Axial slice 67 of 103 of a contrast-enhanced abdominal CT (slice 1 is the lowest), 120 kVp, kernel STANDARD; 2.50 mm slice thickness and 0.736 mm pixels.
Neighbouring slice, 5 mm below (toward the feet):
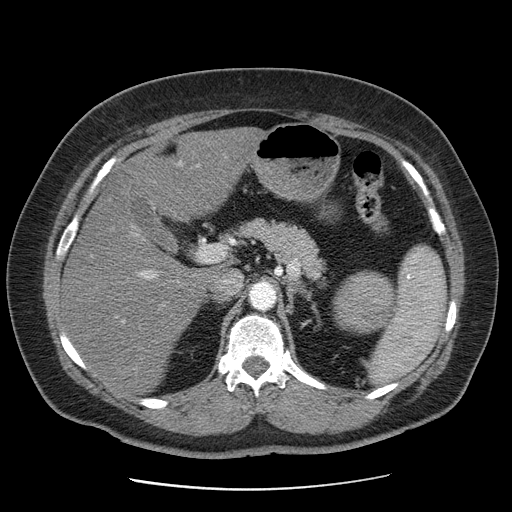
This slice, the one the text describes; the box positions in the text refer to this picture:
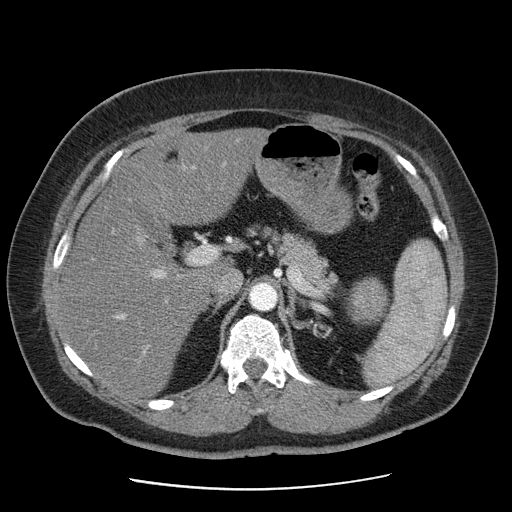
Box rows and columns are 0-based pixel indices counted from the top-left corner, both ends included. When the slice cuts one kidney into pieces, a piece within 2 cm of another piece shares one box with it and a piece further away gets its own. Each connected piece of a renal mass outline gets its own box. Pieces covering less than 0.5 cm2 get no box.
Box rows 280–324, columns 345–388: left renal mass (outlined area 1,537 px, about 8.3 cm2); no kidney outline appears on this slice, but the same outlined renal mass comes within 1 cm of the kidney on another slice. This slice is near the end of the left renal mass toward the head, so the slice 5 mm below it is shown as well; the boxes refer to this slice only.